Arterial-phase contrast-enhanced abdominal CT, axial slice 185 of 383 (counted from the lowest slice); tube voltage 100 kVp, convolution kernel SOFT; slices 1.25 mm thick, 0.898 mm per pixel.
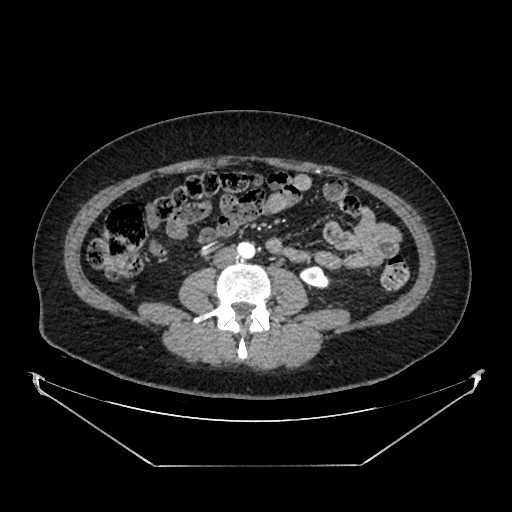
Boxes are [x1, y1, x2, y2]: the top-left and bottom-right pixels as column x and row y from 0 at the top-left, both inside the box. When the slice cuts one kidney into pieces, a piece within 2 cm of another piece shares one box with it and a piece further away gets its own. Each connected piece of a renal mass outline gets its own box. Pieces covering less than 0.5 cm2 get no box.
Box [299, 265, 329, 288]: left kidney (outlined area 505 px, about 4.1 cm2). No renal mass outline on this slice.